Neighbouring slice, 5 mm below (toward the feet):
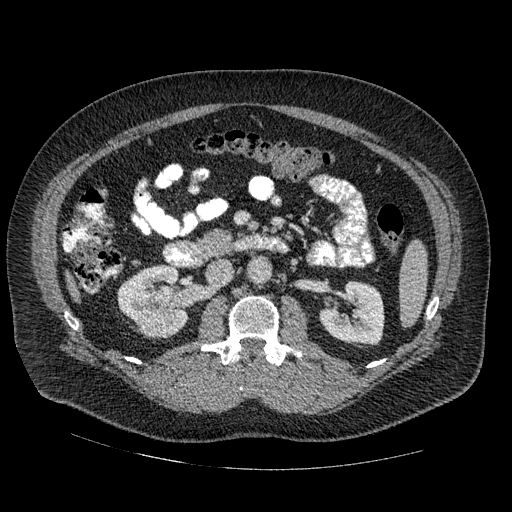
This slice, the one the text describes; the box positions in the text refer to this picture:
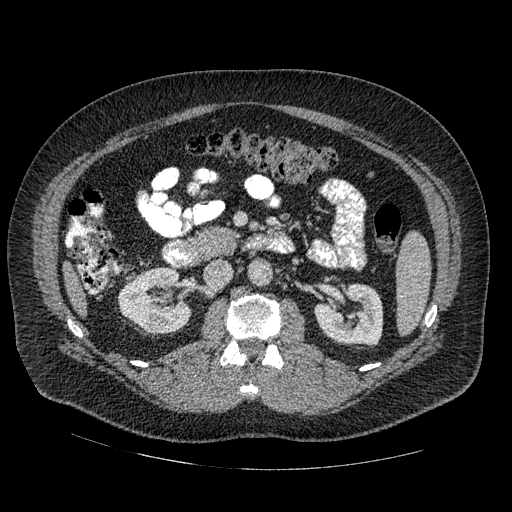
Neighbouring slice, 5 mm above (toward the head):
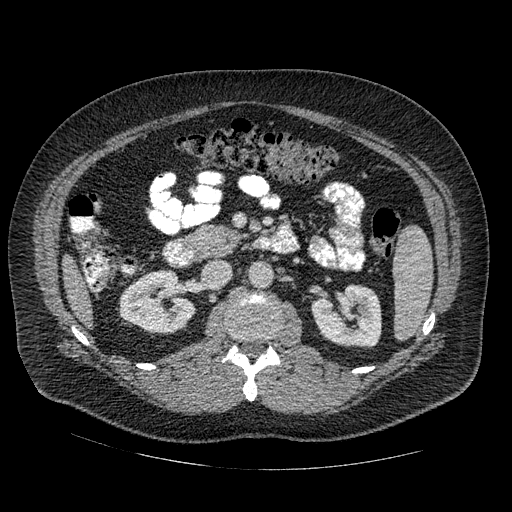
Abdominal CT with intravenous contrast, arterial phase, axial plane, 120 kVp, kernel STANDARD. Slice 276/445 from the bottom of the scan; thickness 1.25 mm; pixel size 0.863 mm.
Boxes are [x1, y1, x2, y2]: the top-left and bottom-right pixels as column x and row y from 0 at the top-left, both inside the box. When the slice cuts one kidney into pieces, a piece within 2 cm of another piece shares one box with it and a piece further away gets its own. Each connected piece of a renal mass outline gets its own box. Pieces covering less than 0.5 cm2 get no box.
Three boxes on this slice (two kidney boxes and one renal mass box), listed by box centre from the image's left to its right. (1) Box [118, 267, 192, 334]: right kidney (outlined area 3,080 px, about 23.0 cm2). (2) Box [147, 306, 176, 331]: right renal mass (outlined area 577 px, about 4.3 cm2). (3) Left kidney, box [315, 283, 383, 345] (outlined area 3,232 px, about 24.1 cm2). This slice is near the end of the right renal mass toward the head, so the slices 5 mm below and 5 mm above it are shown as well; the boxes refer to this slice only.